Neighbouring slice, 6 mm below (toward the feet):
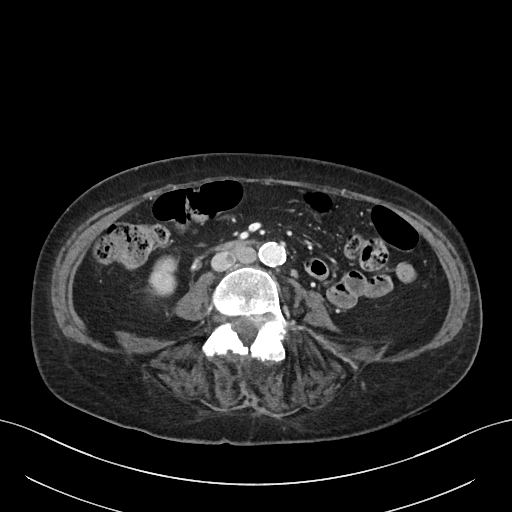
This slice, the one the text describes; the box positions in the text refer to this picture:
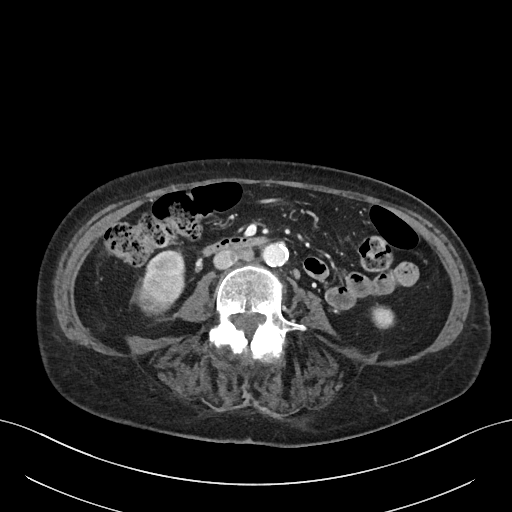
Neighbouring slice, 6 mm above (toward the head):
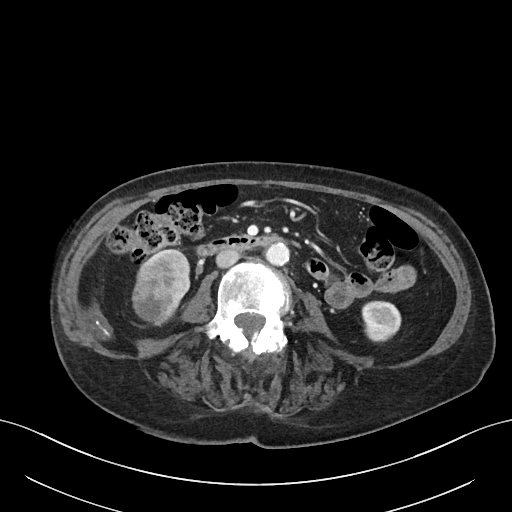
Abdominal CT with intravenous contrast, axial plane, 100 kVp, kernel I40f. Slice 19/76 from the bottom of the scan; thickness 3.00 mm; pixel size 0.768 mm.
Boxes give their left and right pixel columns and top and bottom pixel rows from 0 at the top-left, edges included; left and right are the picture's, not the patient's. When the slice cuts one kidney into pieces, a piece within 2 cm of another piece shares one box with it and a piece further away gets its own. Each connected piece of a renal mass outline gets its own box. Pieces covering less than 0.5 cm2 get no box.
Boxed on this slice (two kidney boxes and one renal mass box), listed by box centre from the image's left to its right: (1) Box with left 138, top 276, right 171, bottom 315: right renal mass (outlined area 1,068 px, about 6.3 cm2). (2) Box with left 144, top 249, right 185, bottom 303: right kidney (outlined area 1,280 px, about 7.5 cm2). (3) Left kidney, the box with left 371, top 305, right 394, bottom 328 (outlined area 462 px, about 2.7 cm2). This slice lies near the end of the right renal mass toward the feet; the slices 6 mm below and 6 mm above it are shown too, and the boxes mark positions on this slice only.